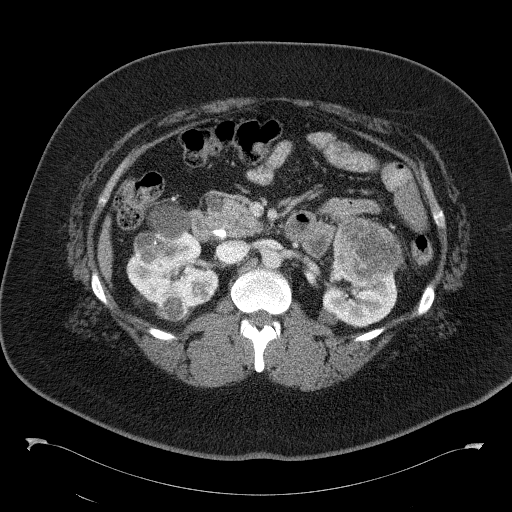
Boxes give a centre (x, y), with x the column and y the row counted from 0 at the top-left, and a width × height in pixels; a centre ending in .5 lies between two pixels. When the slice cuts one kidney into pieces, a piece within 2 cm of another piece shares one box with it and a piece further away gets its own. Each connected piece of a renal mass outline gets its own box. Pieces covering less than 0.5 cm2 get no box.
Contrast-enhanced abdominal CT, axial slice 78 of 146 (counted from the lowest slice); 5.00 mm thick, 0.840 mm per pixel. Boxed on this slice (two kidney boxes and five renal mass boxes), listed by box centre from the image's left to its right: (1) Renal mass in a box with centre (150.5, 248), 36 × 35 pixels (outlined area 961 px, about 6.8 cm2). (2) Renal mass, box centre (171.5, 306.5), 32 × 30 pixels (outlined area 741 px, about 5.2 cm2). (3) Box centre (172, 254.5), 93 × 106 pixels: kidney (outlined area 4,721 px, about 33.3 cm2). (4) Box centre (183.5, 247.5), 12 × 10 pixels: renal mass (outlined area 96 px, about 0.7 cm2). (5) Box centre (202, 290), 23 × 23 pixels: renal mass (outlined area 393 px, about 2.8 cm2). (6) Box centre (357.5, 293.5), 80 × 68 pixels: kidney (outlined area 3,148 px, about 22.2 cm2). (7) Box centre (368, 250.5), 71 × 68 pixels: renal mass (outlined area 3,792 px, about 26.7 cm2).
Acquired at 120 kVp and reconstructed with the B41f kernel.